Arterial-phase contrast-enhanced abdominal CT, axial slice 793 of 987 (counted from the lowest slice); tube voltage 120 kVp, convolution kernel I26f; slices 1.00 mm thick, 0.977 mm per pixel.
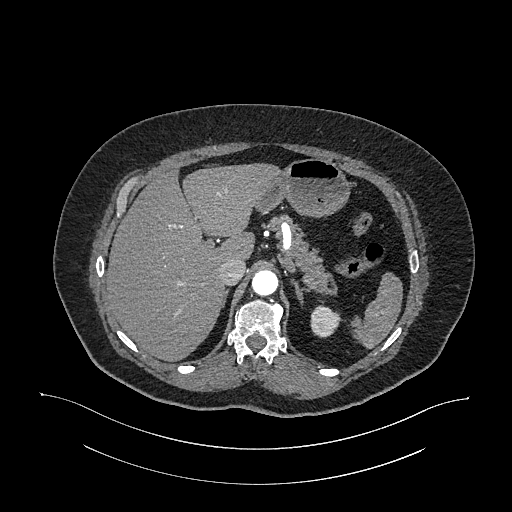
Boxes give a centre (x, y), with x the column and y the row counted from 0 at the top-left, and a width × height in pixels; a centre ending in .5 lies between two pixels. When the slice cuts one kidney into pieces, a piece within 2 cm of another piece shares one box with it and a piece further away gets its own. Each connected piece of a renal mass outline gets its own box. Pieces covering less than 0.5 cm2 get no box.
Left kidney in a box with centre (325, 321), 31 × 33 pixels (outlined area 754 px, about 7.2 cm2). No renal mass is outlined on this slice.